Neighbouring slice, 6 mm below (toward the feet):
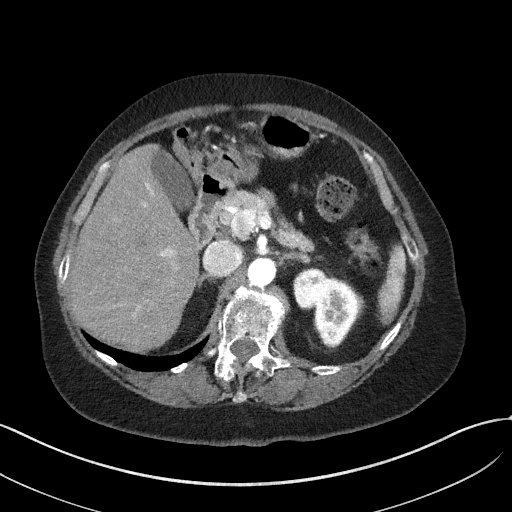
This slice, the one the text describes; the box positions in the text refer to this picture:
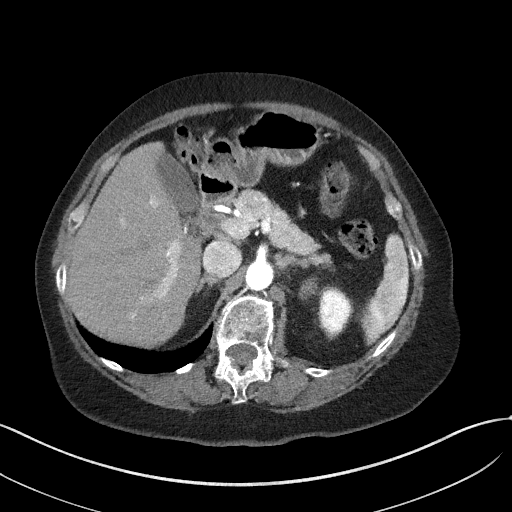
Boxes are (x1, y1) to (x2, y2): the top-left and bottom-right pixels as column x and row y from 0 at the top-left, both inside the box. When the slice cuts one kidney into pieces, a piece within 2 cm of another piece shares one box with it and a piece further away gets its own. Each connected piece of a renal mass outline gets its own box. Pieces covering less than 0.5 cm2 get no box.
Slice 40/50 of a contrast-enhanced abdominal CT in the arterial phase, counting up from the lowest; pixel size 0.758 mm, slice thickness 3.00 mm. Boxed on this slice (one kidney box and one renal mass box), listed by box centre from the image's left to its right: (1) Left renal mass, box (299, 277) to (317, 299) (outlined area 301 px, about 1.7 cm2). (2) Left kidney, box (318, 288) to (351, 337) (outlined area 1,216 px, about 7.0 cm2). This slice is near the end of the left renal mass toward the head, so the slice 6 mm below it is shown as well; the boxes refer to this slice only.
Tube voltage 100 kVp; convolution kernel I41f.